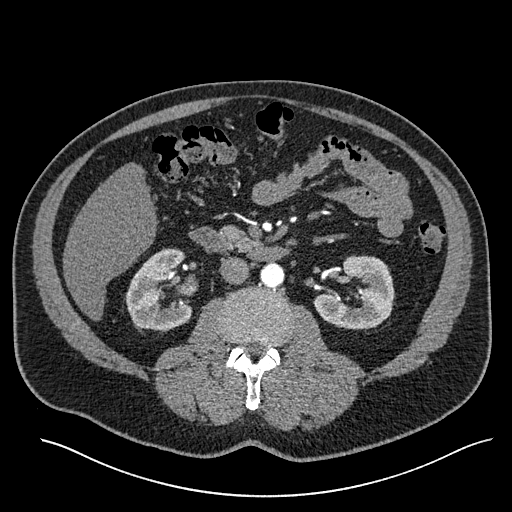
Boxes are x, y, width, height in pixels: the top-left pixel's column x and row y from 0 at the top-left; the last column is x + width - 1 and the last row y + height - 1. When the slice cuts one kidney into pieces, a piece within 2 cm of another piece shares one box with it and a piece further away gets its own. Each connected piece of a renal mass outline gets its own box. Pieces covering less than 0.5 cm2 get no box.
Slice 304/527 of a contrast-enhanced abdominal CT in the arterial phase, counting up from the lowest; pixel size 0.859 mm, slice thickness 1.00 mm. Two boxes on this slice (two kidney boxes), listed by box centre from the image's left to its right. (1) Box x 125, y 248, width 68, height 84: right kidney (outlined area 4,043 px, about 29.9 cm2). (2) Left kidney, box x 314, y 255, width 81, height 75 (outlined area 4,110 px, about 30.4 cm2). This slice carries no renal mass outline.
Scan settings: 120 kVp, I30f reconstruction kernel.